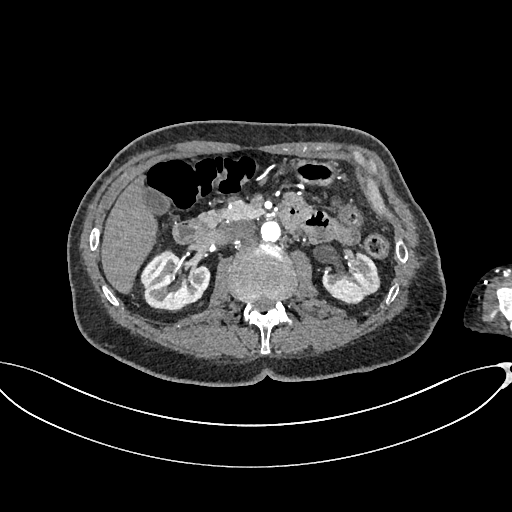
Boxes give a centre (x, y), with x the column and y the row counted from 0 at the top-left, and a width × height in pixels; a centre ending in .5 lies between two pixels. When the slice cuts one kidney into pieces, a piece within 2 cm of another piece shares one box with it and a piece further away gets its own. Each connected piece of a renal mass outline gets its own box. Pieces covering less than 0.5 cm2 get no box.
Slice 402/665 of a contrast-enhanced abdominal CT in the arterial phase, counting up from the lowest; pixel size 0.828 mm, slice thickness 1.00 mm. Boxed on this slice (two kidney boxes), listed by box centre from the image's left to its right: (1) Right kidney in a box with centre (175, 280), 71 × 63 pixels (outlined area 3,209 px, about 22.0 cm2). (2) Box centre (351, 278.5), 59 × 52 pixels: left kidney (outlined area 2,089 px, about 14.3 cm2). This slice carries no renal mass outline.
Scan settings: 100 kVp, I26f reconstruction kernel.